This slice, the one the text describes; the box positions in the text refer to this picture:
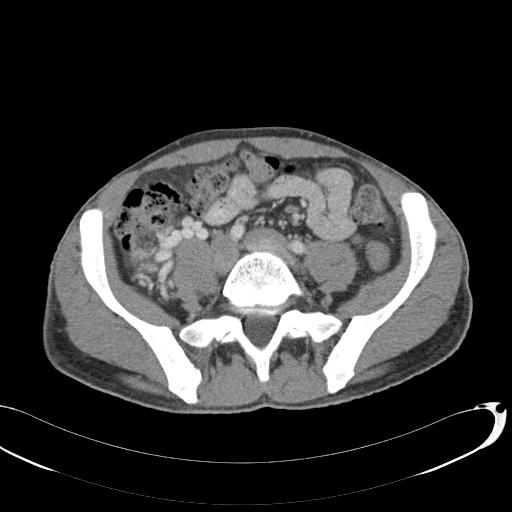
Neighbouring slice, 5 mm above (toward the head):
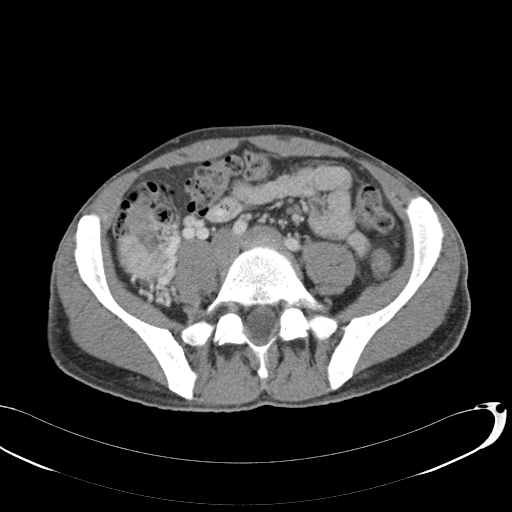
Contrast-enhanced abdominal CT, axial slice 44 of 146 (counted from the lowest slice); tube voltage 120 kVp, convolution kernel B31f; slices 5.00 mm thick, 0.742 mm per pixel.
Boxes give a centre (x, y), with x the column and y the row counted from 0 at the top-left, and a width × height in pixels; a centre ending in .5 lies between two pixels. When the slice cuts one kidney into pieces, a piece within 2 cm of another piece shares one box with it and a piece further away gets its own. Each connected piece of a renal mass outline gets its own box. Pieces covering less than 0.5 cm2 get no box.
Box centre (143, 246), 27 × 47 pixels: right renal mass (outlined area 924 px, about 5.1 cm2); no kidney outline appears on this slice, but the same outlined renal mass comes within 1 cm of the kidney on another slice. This slice lies near the end of the right renal mass toward the feet; the slice 5 mm above it is shown too, and the boxes mark positions on this slice only.